Axial slice 383 of 738 of a contrast-enhanced abdominal CT in the arterial phase (slice 1 is the lowest), 120 kVp, kernel I30f; 1.00 mm slice thickness and 0.789 mm pixels.
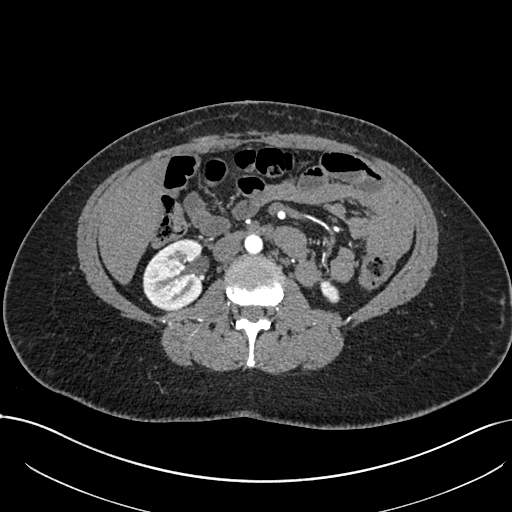
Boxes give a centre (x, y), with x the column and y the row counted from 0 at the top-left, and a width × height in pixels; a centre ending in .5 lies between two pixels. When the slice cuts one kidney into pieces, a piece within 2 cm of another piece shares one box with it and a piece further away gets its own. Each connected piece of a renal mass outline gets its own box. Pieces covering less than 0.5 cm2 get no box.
Boxed on this slice (two kidney boxes), listed by box centre from the image's left to its right: (1) Box centre (172, 274), 61 × 73 pixels: right kidney (outlined area 3,435 px, about 21.4 cm2). (2) Left kidney, box centre (329, 290), 21 × 23 pixels (outlined area 320 px, about 2.0 cm2). No renal mass outline on this slice.